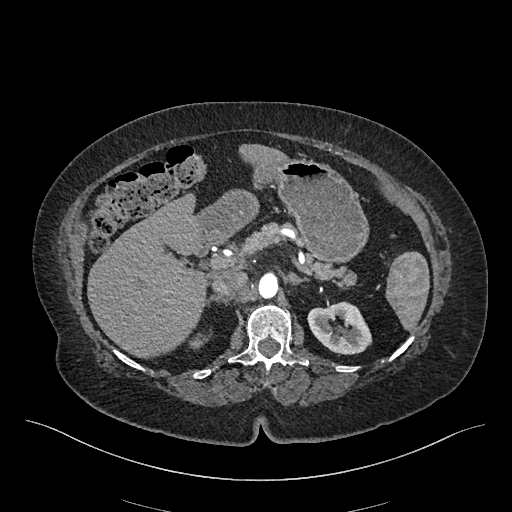
Axial slice 318 of 548 of a contrast-enhanced abdominal CT in the arterial phase (slice 1 is the lowest), 120 kVp, kernel I26f; 1.00 mm slice thickness and 0.852 mm pixels.
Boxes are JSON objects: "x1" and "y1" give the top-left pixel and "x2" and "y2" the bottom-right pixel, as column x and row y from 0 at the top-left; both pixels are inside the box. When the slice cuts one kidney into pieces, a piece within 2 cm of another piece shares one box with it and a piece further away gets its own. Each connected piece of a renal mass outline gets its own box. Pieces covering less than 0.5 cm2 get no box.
Two kidney boxes on this slice; by box centre, from the image's left to its right: (1) Right kidney, box {"x1": 189, "y1": 333, "x2": 208, "y2": 349} (outlined area 191 px, about 1.4 cm2). (2) Left kidney at {"x1": 307, "y1": 301, "x2": 371, "y2": 354} (outlined area 2,455 px, about 17.8 cm2). No renal mass outline on this slice.